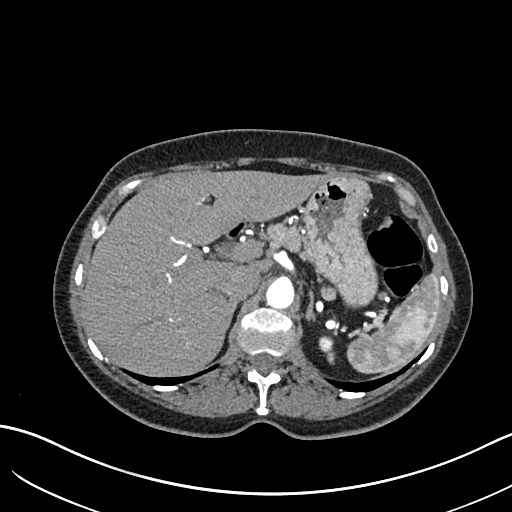
Axial slice 476 of 683 of a contrast-enhanced abdominal CT in the arterial phase (slice 1 is the lowest), 120 kVp, kernel I30f; 1.00 mm slice thickness and 0.738 mm pixels.
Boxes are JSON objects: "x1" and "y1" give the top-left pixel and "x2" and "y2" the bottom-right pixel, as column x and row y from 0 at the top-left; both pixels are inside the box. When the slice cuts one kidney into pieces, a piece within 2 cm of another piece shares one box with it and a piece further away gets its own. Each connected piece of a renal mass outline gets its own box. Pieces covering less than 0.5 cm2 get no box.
Left kidney at {"x1": 318, "y1": 337, "x2": 334, "y2": 364} (outlined area 290 px, about 1.6 cm2). No renal mass is outlined on this slice.